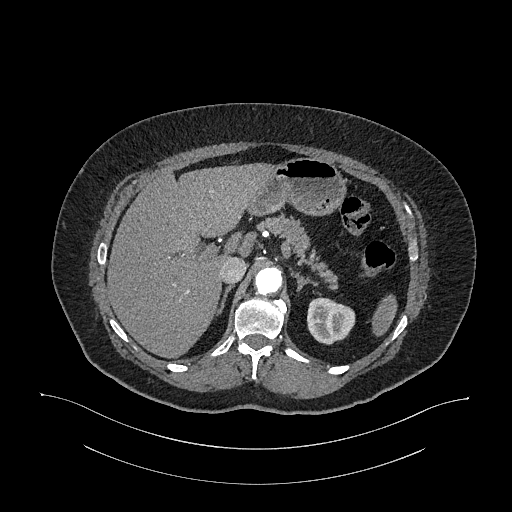
Axial slice 776 of 987 of a contrast-enhanced abdominal CT in the arterial phase (slice 1 is the lowest), 120 kVp, kernel I26f; 1.00 mm slice thickness and 0.977 mm pixels.
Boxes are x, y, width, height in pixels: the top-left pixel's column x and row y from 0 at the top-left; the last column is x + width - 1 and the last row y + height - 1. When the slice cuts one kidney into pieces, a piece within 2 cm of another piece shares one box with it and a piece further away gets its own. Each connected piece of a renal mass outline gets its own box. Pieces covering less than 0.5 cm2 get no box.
Left kidney, box x 306, y 297, width 50, height 48 (outlined area 1,777 px, about 16.9 cm2). This slice carries no renal mass outline.